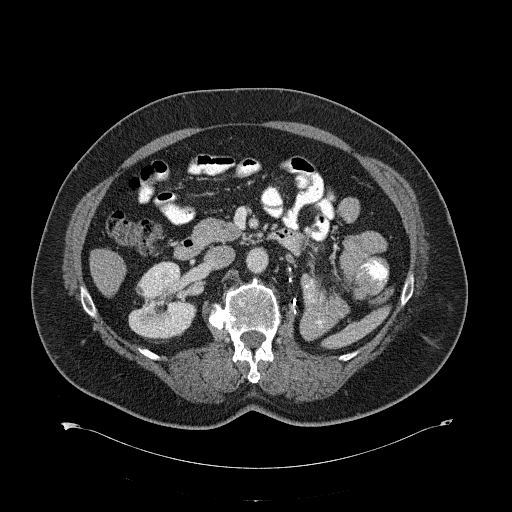
Contrast-enhanced abdominal CT, axial slice 366 of 734 (counted from the lowest slice); tube voltage 120 kVp, convolution kernel B31f; slices 2.00 mm thick, 0.971 mm per pixel.
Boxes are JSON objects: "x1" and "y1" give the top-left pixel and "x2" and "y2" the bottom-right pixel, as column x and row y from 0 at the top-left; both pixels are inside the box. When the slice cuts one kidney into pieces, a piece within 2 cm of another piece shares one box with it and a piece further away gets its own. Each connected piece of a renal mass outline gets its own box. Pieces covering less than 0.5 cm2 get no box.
Right kidney, box {"x1": 128, "y1": 261, "x2": 196, "y2": 341} (outlined area 3,815 px, about 35.9 cm2). This slice carries no renal mass outline.